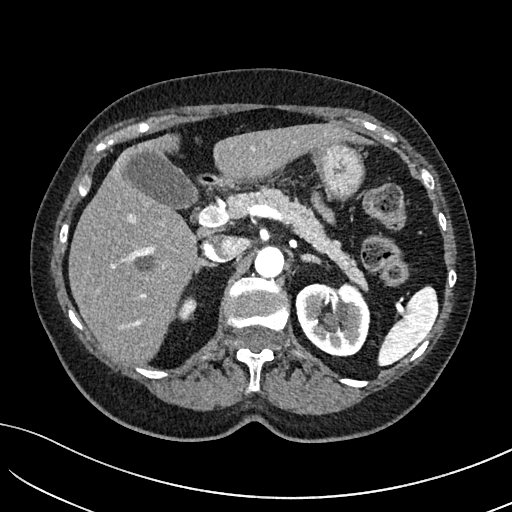
Axial slice 103 of 234 of a contrast-enhanced abdominal CT in the arterial phase (slice 1 is the lowest), 100 kVp, kernel I40f; 2.00 mm slice thickness and 0.699 mm pixels.
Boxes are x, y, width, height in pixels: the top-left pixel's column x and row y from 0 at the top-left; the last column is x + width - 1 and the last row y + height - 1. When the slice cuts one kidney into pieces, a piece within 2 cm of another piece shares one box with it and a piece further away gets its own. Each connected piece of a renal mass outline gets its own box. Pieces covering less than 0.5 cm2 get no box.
Two boxes on this slice (two kidney boxes), listed by box centre from the image's left to its right. (1) Box x 177, y 298, width 21, height 24: right kidney (outlined area 345 px, about 1.7 cm2). (2) Box x 295, y 282, width 76, height 75: left kidney (outlined area 4,357 px, about 21.3 cm2). No renal mass is outlined on this slice.